Abdominal CT with intravenous contrast, arterial phase, axial plane, 120 kVp, kernel I30f. Slice 258/541 from the bottom of the scan; thickness 1.00 mm; pixel size 0.834 mm.
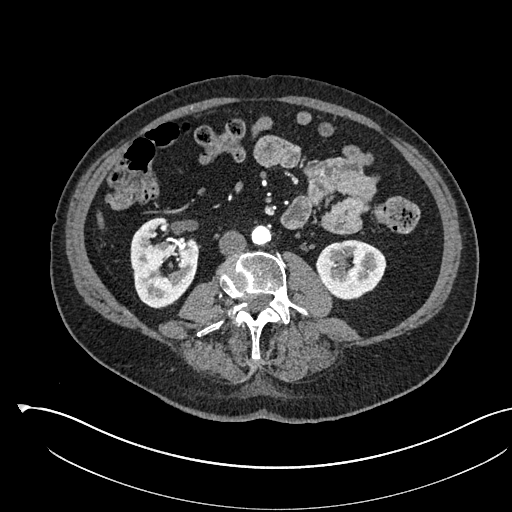
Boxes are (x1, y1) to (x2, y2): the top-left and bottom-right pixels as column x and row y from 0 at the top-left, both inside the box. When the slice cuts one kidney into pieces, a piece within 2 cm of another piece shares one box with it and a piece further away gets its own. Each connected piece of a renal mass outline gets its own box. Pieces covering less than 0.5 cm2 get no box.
Boxed on this slice (two kidney boxes), listed by box centre from the image's left to its right: (1) Right kidney, box (130, 217) to (198, 308) (outlined area 4,488 px, about 31.2 cm2). (2) Box (316, 239) to (386, 300): left kidney (outlined area 3,263 px, about 22.7 cm2). No renal mass outline on this slice.